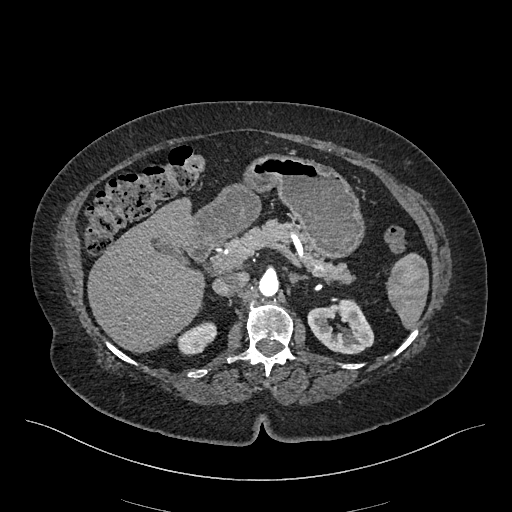
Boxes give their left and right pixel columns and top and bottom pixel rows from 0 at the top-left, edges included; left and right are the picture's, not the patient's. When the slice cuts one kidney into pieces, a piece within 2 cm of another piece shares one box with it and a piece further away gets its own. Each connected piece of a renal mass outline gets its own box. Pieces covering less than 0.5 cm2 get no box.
Slice 310/548 of a contrast-enhanced abdominal CT in the arterial phase, counting up from the lowest; pixel size 0.852 mm, slice thickness 1.00 mm. Boxed on this slice (two kidney boxes), listed by box centre from the image's left to its right: (1) Right kidney, the box with left 177, top 321, right 217, bottom 355 (outlined area 919 px, about 6.7 cm2). (2) Left kidney, the box with left 307, top 299, right 374, bottom 354 (outlined area 2,580 px, about 18.7 cm2). No renal mass outline on this slice.
Acquired at 120 kVp and reconstructed with the I26f kernel.